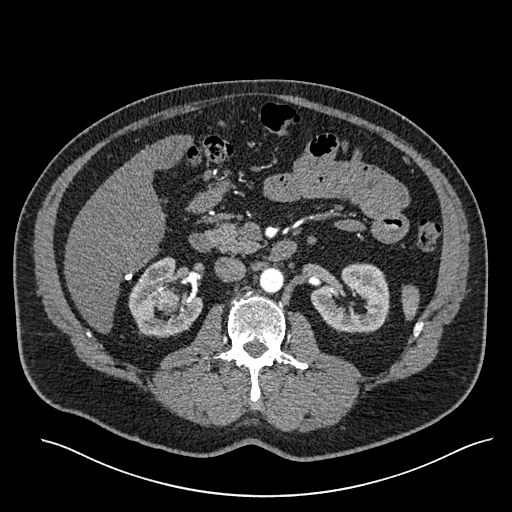
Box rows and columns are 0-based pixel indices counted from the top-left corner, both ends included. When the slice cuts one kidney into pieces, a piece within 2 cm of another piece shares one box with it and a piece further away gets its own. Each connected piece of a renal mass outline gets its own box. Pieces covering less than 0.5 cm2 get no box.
Arterial-phase contrast-enhanced abdominal CT, axial slice 332 of 527 (counted from the lowest slice); 1.00 mm thick, 0.859 mm per pixel. Three boxes on this slice (two kidney boxes and one renal mass box), listed by box centre from the image's left to its right. (1) Right kidney at rows 257–338, columns 128–202 (outlined area 3,507 px, about 25.9 cm2). (2) Box rows 287–314, columns 154–179: right renal mass (outlined area 562 px, about 4.2 cm2). (3) Box rows 263–333, columns 310–389: left kidney (outlined area 3,897 px, about 28.8 cm2).
Scan settings: 120 kVp, I30f reconstruction kernel.